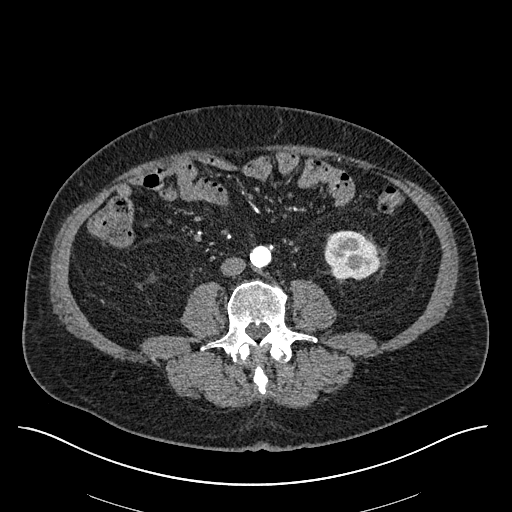
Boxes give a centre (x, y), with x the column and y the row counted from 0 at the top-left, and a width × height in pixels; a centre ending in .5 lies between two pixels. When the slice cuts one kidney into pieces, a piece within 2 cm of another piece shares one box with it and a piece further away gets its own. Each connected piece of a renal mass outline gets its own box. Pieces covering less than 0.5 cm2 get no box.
This is axial slice 225 of 670 (slice 1 is the lowest) of an arterial-phase abdominal CT with contrast; each pixel is 0.861 mm and the slice is 1.00 mm thick. Box centre (351.5, 254.5), 56 × 50 pixels: left kidney (outlined area 2,215 px, about 16.4 cm2). No renal mass is outlined on this slice.
Scan settings: 120 kVp, I30f reconstruction kernel.